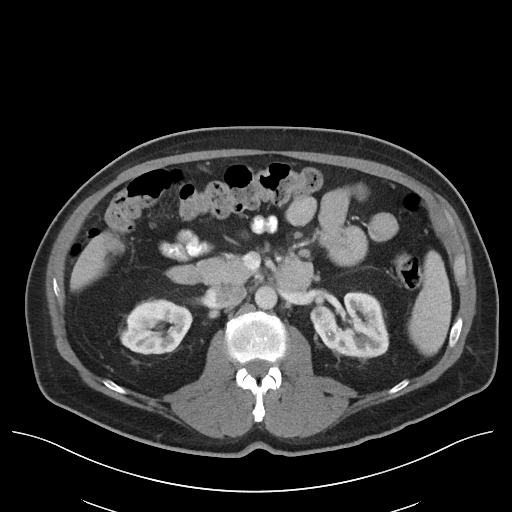
Abdominal CT with intravenous contrast, arterial phase, axial plane, 120 kVp, kernel I40f. Slice 67/96 from the bottom of the scan; thickness 5.00 mm; pixel size 0.840 mm.
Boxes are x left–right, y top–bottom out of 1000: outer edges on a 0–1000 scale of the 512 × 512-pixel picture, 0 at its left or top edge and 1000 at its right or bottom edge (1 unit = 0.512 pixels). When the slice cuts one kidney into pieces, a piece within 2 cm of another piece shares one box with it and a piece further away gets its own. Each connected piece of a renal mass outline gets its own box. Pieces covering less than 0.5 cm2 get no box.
Two kidney boxes and one renal mass box on this slice; by box centre, from the image's left to its right: (1) Right kidney at x 234–377, y 584–693 out of 1000 (outlined area 3,034 px, about 21.4 cm2). (2) Left renal mass, box x 605–648, y 592–639 out of 1000 (outlined area 390 px, about 2.8 cm2). (3) Left kidney, box x 611–760, y 568–701 out of 1000 (outlined area 3,516 px, about 24.8 cm2).